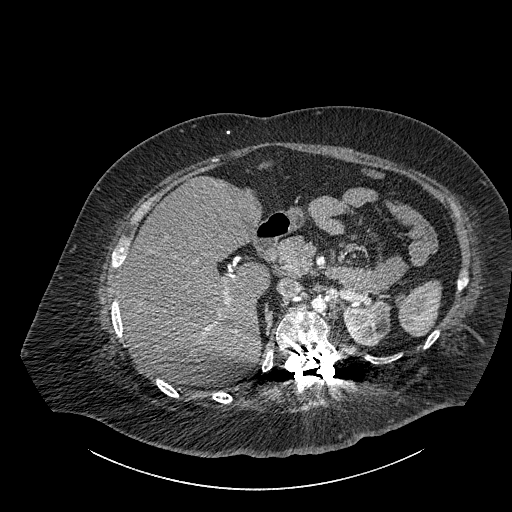
Contrast-enhanced abdominal CT, axial slice 611 of 834 (counted from the lowest slice); tube voltage 140 kVp, convolution kernel I30f; slices 1.00 mm thick, 0.977 mm per pixel.
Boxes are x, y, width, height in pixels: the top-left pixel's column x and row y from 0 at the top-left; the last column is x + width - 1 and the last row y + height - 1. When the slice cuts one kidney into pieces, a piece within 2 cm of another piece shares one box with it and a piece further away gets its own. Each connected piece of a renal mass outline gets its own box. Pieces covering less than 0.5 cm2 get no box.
Left part of the midline-crossing kidney at x 343, y 301, width 48, height 46 (outlined area 1,611 px, about 15.4 cm2). No renal mass outline on this slice.